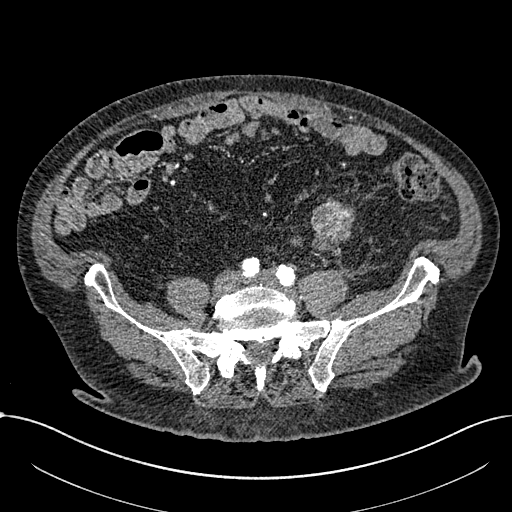
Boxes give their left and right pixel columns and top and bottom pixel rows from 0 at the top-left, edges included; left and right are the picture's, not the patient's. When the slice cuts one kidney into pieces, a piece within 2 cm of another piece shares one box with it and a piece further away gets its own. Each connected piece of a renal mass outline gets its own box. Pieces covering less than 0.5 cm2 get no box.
Slice 166/1059 of a contrast-enhanced abdominal CT in the arterial phase, counting up from the lowest; pixel size 0.811 mm, slice thickness 1.00 mm. Box with left 310, top 200, right 355, bottom 254: renal mass (outlined area 1,756 px, about 11.5 cm2); this slice has no kidney outline, though on another slice the same outlined renal mass lies within 1 cm of the kidney.
Scan settings: 100 kVp, I30f reconstruction kernel.